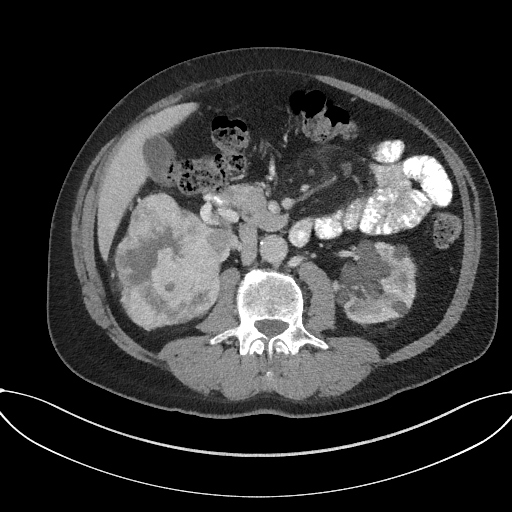
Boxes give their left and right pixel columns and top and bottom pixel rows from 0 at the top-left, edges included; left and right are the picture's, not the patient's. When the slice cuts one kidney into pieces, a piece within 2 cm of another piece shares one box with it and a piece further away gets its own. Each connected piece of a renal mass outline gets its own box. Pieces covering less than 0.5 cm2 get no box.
Slice 90/227 of a contrast-enhanced abdominal CT in the arterial phase, counting up from the lowest; pixel size 0.816 mm, slice thickness 3.00 mm. Two kidney boxes and one renal mass box on this slice; by box centre, from the image's left to its right: (1) Right renal mass in the box with left 114, top 192, right 229, bottom 330 (outlined area 11,298 px, about 75.3 cm2). (2) Right kidney, the box with left 220, top 246, right 230, bottom 266 (outlined area 90 px, about 0.6 cm2). (3) Left kidney in the box with left 335, top 240, right 416, bottom 324 (outlined area 5,323 px, about 35.5 cm2).
Tube voltage 120 kVp; convolution kernel I31f.